Abdominal CT with intravenous contrast, arterial phase, axial plane, 120 kVp, kernel B30f. Slice 64/97 from the bottom of the scan; thickness 5.00 mm; pixel size 0.824 mm.
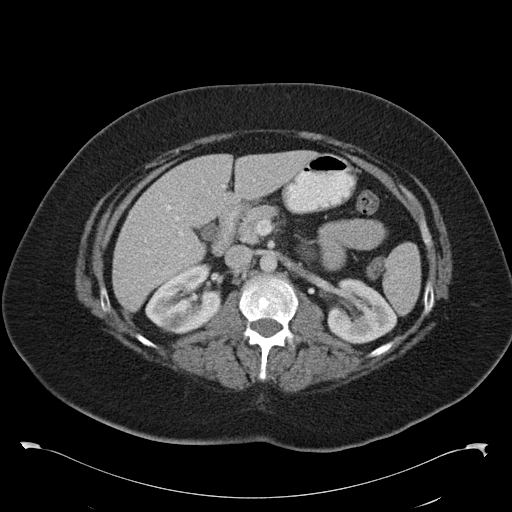
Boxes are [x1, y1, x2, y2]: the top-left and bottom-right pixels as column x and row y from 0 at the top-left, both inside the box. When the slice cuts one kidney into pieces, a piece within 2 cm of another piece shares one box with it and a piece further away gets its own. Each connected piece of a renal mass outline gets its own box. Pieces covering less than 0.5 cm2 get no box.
Boxed on this slice (two kidney boxes and one renal mass box), listed by box centre from the image's left to its right: (1) Right renal mass at [161, 311, 189, 329] (outlined area 383 px, about 2.6 cm2). (2) Right kidney at [145, 264, 220, 333] (outlined area 3,104 px, about 21.1 cm2). (3) Left kidney at [327, 279, 397, 344] (outlined area 3,295 px, about 22.4 cm2).